One axial slice (324 of 1059, counting up from the lowest) of an arterial-phase abdominal CT acquired with 100 kVp, kernel I30f; each pixel is 0.811 mm and the slice is 1.00 mm thick.
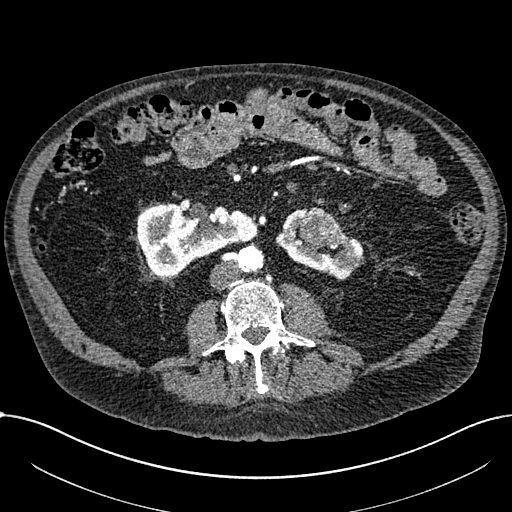
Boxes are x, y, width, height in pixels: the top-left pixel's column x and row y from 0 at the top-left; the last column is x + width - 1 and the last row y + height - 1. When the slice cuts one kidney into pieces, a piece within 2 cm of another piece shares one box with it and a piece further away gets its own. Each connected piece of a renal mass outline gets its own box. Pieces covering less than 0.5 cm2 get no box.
Two kidney boxes and one renal mass box on this slice; by box centre, from the image's left to its right: (1) Box x 137, y 202, width 120, height 76: right part of the midline-crossing kidney (outlined area 5,971 px, about 39.2 cm2). (2) Renal mass, box x 297, y 207, width 48, height 42 (outlined area 1,380 px, about 9.1 cm2). (3) Box x 275, y 208, width 92, height 73: left part of the midline-crossing kidney (outlined area 2,701 px, about 17.7 cm2).